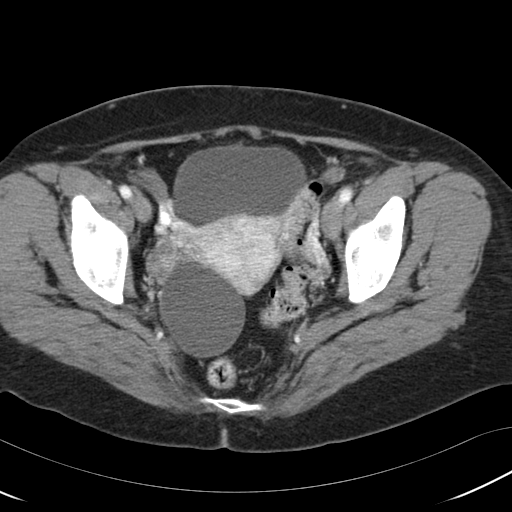
This is axial slice 24 of 97 (slice 1 is the lowest) of an abdominal CT with contrast; each pixel is 0.664 mm and the slice is 5.00 mm thick. Outside the outlined region: no kidney outline and no renal mass outline on this slice. The scan's outlines cover only kidneys and renal masses; no other organ is outlined.
Tube voltage 120 kVp; convolution kernel B30f.